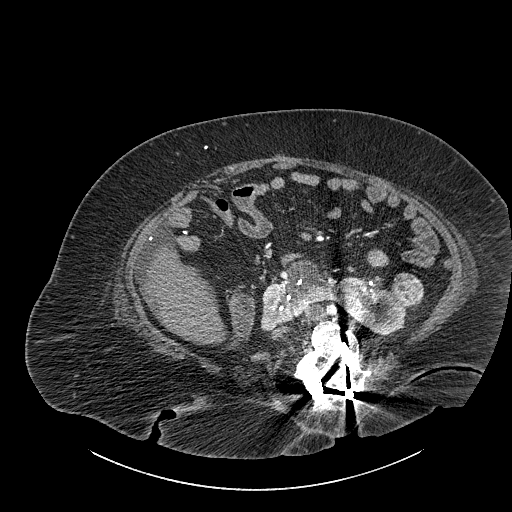
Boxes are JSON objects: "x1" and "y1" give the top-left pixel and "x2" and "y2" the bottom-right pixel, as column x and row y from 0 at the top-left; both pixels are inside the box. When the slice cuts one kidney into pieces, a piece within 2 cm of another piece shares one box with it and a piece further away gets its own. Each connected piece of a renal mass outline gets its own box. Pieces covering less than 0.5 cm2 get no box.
Contrast-enhanced abdominal CT, axial slice 487 of 834 (counted from the lowest slice); 1.00 mm thick, 0.977 mm per pixel. Two boxes on this slice (one kidney box and one renal mass box), listed by box centre from the image's left to its right. (1) Box {"x1": 260, "y1": 260, "x2": 410, "y2": 334}: kidney crossing the body midline (outlined area 5,660 px, about 54.0 cm2). (2) Box {"x1": 391, "y1": 272, "x2": 423, "y2": 306}: renal mass (outlined area 899 px, about 8.6 cm2).
Acquired at 140 kVp and reconstructed with the I30f kernel.